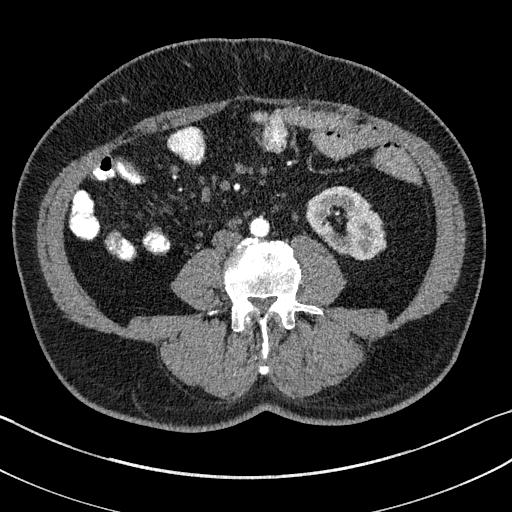
Arterial-phase contrast-enhanced abdominal CT, axial slice 46 of 195 (counted from the lowest slice); tube voltage 100 kVp, convolution kernel I31f; slices 1.50 mm thick, 0.707 mm per pixel.
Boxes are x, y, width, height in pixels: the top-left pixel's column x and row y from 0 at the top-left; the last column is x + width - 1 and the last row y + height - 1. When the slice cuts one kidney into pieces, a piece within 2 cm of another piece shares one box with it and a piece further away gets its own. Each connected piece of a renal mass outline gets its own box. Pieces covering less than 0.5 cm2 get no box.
Box x 306, y 186, width 80, height 75: left kidney (outlined area 3,719 px, about 18.6 cm2). No renal mass outline on this slice.